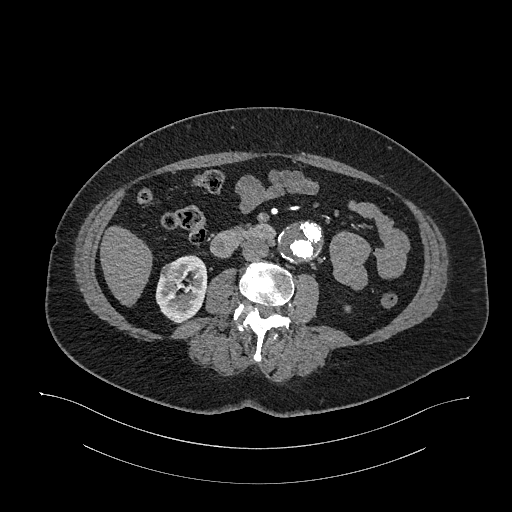
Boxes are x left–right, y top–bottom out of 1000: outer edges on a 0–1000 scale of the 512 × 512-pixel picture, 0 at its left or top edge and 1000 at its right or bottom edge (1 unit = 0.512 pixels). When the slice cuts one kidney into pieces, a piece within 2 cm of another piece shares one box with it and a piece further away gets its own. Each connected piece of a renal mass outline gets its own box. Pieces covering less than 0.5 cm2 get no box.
This is axial slice 574 of 987 (slice 1 is the lowest) of an arterial-phase abdominal CT with contrast; each pixel is 0.977 mm and the slice is 1.00 mm thick. One kidney box and one renal mass box on this slice; by box centre, from the image's left to its right: (1) Right renal mass at x 311–365, y 510–557 out of 1000 (outlined area 489 px, about 4.7 cm2). (2) Right kidney, box x 303–406, y 498–633 out of 1000 (outlined area 2,204 px, about 21.0 cm2).
Tube voltage 120 kVp; convolution kernel I26f.